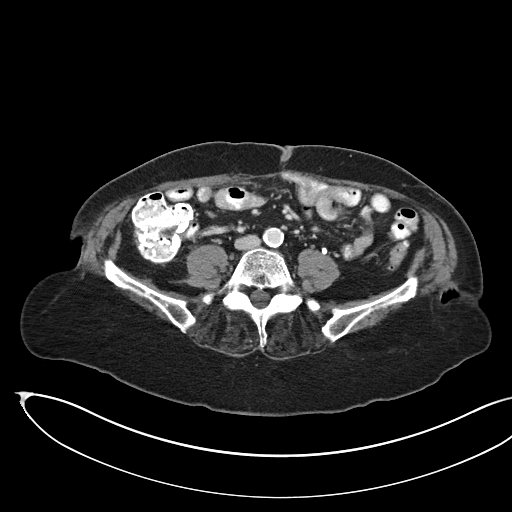
Abdominal CT with intravenous contrast, arterial phase, axial plane, 100 kVp, kernel I40f. Slice 69/145 from the bottom of the scan; thickness 3.00 mm; pixel size 0.834 mm.
Outside the outlined region: no kidney outline and no renal mass outline on this slice. The scan's outlines cover only kidneys and renal masses; no other organ is outlined.